Abdominal CT with intravenous contrast, arterial phase, axial plane, 100 kVp, kernel I30f. Slice 60/304 from the bottom of the scan; thickness 2.00 mm; pixel size 0.809 mm.
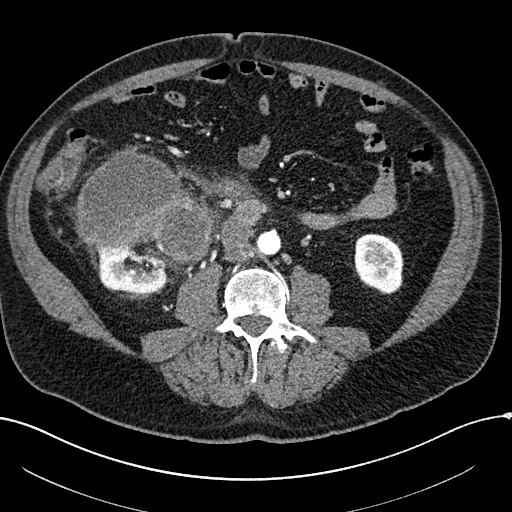
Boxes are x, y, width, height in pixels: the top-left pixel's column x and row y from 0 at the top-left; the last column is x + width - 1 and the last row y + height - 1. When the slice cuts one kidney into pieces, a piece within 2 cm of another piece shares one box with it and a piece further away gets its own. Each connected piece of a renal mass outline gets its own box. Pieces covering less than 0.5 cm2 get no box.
Two kidney boxes and one renal mass box on this slice; by box centre, from the image's left to its right: (1) Right kidney, box x 95, y 247, width 77, height 48 (outlined area 2,700 px, about 17.7 cm2). (2) Right renal mass at x 77, y 148, width 137, height 119 (outlined area 11,021 px, about 72.1 cm2). (3) Box x 354, y 233, width 50, height 62: left kidney (outlined area 2,442 px, about 16.0 cm2).